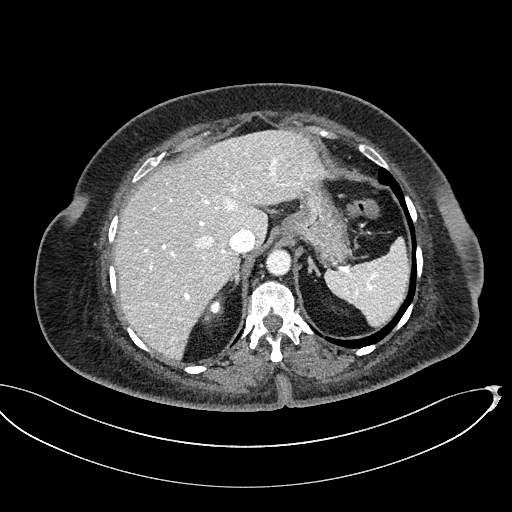
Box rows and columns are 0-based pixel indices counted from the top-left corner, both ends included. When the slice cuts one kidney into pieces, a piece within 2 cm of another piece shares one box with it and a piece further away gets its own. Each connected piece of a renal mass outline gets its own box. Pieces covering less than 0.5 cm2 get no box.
This is axial slice 369 of 439 (slice 1 is the lowest) of an abdominal CT with contrast; each pixel is 0.850 mm and the slice is 2.00 mm thick. Box rows 294–323, columns 204–224: right kidney (outlined area 372 px, about 2.7 cm2). This slice carries no renal mass outline.
Tube voltage 100 kVp; convolution kernel I40f.